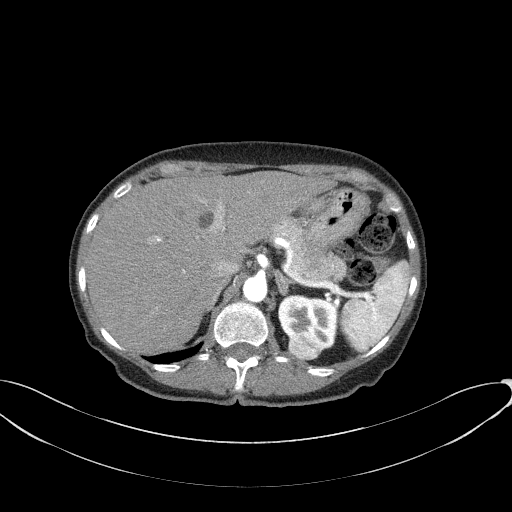
Abdominal CT with intravenous contrast, arterial phase, axial plane, 100 kVp, kernel B41f. Slice 50/77 from the bottom of the scan; thickness 3.00 mm; pixel size 0.809 mm.
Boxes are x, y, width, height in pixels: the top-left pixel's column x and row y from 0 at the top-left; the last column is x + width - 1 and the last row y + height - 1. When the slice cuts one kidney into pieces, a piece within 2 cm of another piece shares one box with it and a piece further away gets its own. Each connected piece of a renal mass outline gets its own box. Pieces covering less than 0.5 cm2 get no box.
Two boxes on this slice (one kidney box and one renal mass box), listed by box centre from the image's left to its right. (1) Box x 287, y 331, width 36, height 30: left renal mass (outlined area 821 px, about 5.4 cm2). (2) Left kidney, box x 277, y 294, width 62, height 57 (outlined area 2,306 px, about 15.1 cm2).